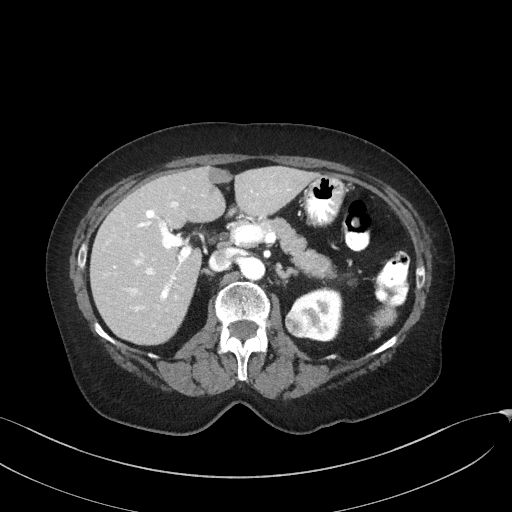
Axial slice 99 of 129 of a contrast-enhanced abdominal CT in the arterial phase (slice 1 is the lowest), 100 kVp, kernel I41f; 3.00 mm slice thickness and 0.779 mm pixels.
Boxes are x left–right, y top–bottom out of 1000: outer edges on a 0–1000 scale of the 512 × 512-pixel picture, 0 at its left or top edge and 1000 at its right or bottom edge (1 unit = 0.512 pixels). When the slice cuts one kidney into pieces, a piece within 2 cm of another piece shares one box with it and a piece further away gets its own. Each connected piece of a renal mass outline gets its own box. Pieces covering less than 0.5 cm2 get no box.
One kidney box and one renal mass box on this slice; by box centre, from the image's left to its right: (1) Box x 559–613, y 605–658 out of 1000: left renal mass (outlined area 618 px, about 3.8 cm2). (2) Box x 568–670, y 561–668 out of 1000: left kidney (outlined area 1,800 px, about 10.9 cm2).